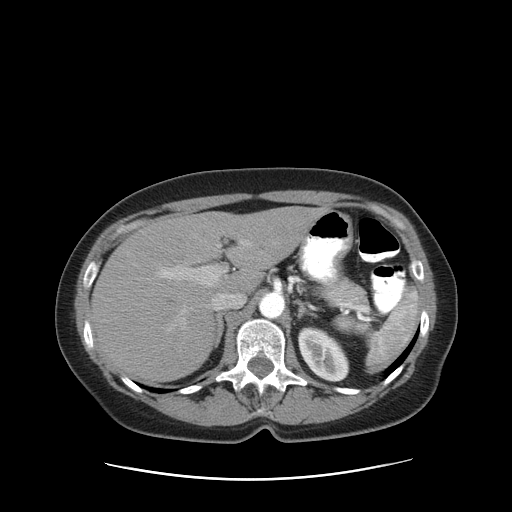
Abdominal CT with intravenous contrast, arterial phase, axial plane, 120 kVp, kernel STANDARD. Slice 62/83 from the bottom of the scan; thickness 5.00 mm; pixel size 0.775 mm.
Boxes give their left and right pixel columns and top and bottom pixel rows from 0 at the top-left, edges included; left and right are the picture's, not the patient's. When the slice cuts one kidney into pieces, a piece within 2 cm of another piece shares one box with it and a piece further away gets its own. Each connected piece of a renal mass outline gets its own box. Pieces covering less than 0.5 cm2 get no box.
Left kidney, the box with left 297, top 326, right 349, bottom 382 (outlined area 2,045 px, about 12.3 cm2). No renal mass is outlined on this slice.